Axial slice 59 of 103 of a contrast-enhanced abdominal CT (slice 1 is the lowest), 120 kVp, kernel B31f; 5.00 mm slice thickness and 0.801 mm pixels.
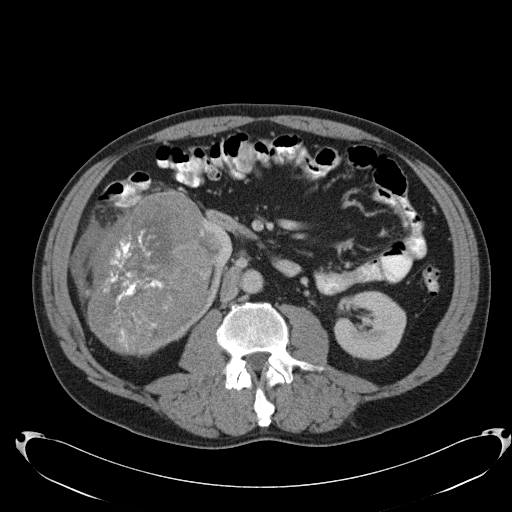
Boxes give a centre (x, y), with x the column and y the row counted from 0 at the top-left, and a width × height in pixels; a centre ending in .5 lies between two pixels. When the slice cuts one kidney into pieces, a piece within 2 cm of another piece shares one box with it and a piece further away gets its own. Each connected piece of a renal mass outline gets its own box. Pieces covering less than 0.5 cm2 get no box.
Three boxes on this slice (two kidney boxes and one renal mass box), listed by box centre from the image's left to its right. (1) Right renal mass in a box with centre (148, 271.5), 127 × 172 pixels (outlined area 16,021 px, about 102.7 cm2). (2) Right kidney in a box with centre (218.5, 263.5), 30 × 96 pixels (outlined area 1,273 px, about 8.2 cm2). (3) Box centre (369.5, 325), 74 × 71 pixels: left kidney (outlined area 3,844 px, about 24.6 cm2).